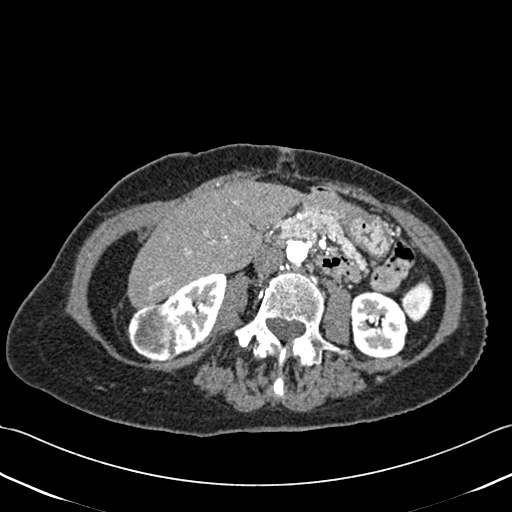
One axial slice (205 of 433, counting up from the lowest) of a contrast-enhanced abdominal CT acquired with 120 kVp, kernel B30f; each pixel is 0.672 mm and the slice is 1.00 mm thick.
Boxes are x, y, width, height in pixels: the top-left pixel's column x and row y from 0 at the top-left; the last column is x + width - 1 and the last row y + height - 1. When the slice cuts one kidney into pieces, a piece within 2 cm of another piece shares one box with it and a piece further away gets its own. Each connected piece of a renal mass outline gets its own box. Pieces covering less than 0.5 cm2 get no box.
Three boxes on this slice (two kidney boxes and one renal mass box), listed by box centre from the image's left to its right. (1) Box x 127, y 303, width 57, height 58: right renal mass (outlined area 2,543 px, about 11.5 cm2). (2) Right kidney at x 163, y 273, width 65, height 81 (outlined area 2,895 px, about 13.1 cm2). (3) Left kidney, box x 351, y 291, width 57, height 68 (outlined area 3,165 px, about 14.3 cm2).